One axial slice (291 of 735, counting up from the lowest) of an arterial-phase abdominal CT acquired with 120 kVp, kernel I30f; each pixel is 0.789 mm and the slice is 1.00 mm thick.
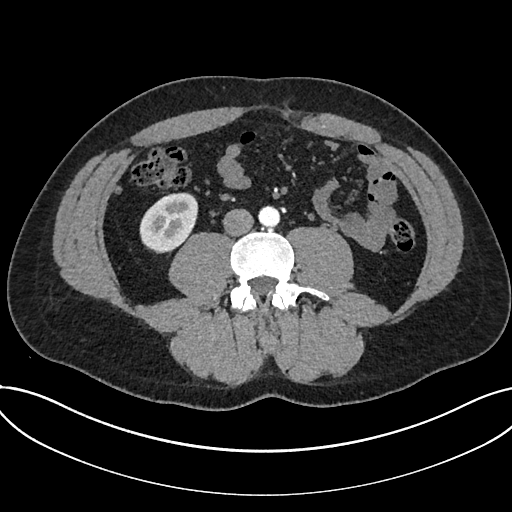
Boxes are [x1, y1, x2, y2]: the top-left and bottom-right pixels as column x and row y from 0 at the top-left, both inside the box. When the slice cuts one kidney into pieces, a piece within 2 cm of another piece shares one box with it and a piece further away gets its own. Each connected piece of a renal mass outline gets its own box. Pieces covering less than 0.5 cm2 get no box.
Kidney, box [139, 192, 198, 253] (outlined area 2,677 px, about 16.7 cm2). No renal mass is outlined on this slice.